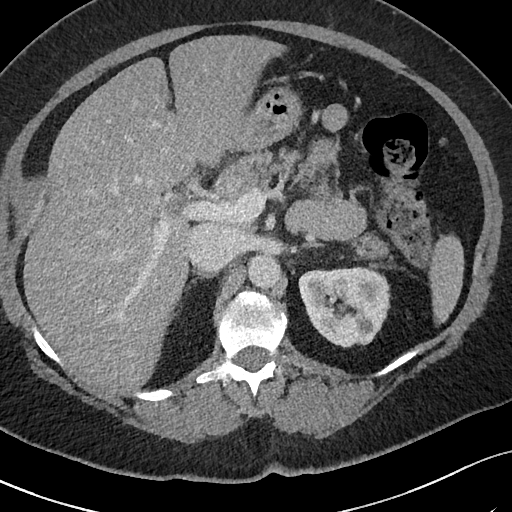
One axial slice (55 of 69, counting up from the lowest) of an arterial-phase abdominal CT acquired with 120 kVp, kernel I40f; each pixel is 0.664 mm and the slice is 3.00 mm thick.
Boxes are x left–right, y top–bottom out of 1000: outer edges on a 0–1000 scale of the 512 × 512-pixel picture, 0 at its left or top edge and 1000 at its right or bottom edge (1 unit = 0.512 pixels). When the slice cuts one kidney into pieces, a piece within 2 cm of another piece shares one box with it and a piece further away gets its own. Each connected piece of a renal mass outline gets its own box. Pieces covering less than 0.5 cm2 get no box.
Left kidney at x 582–764, y 520–680 out of 1000 (outlined area 5,818 px, about 25.7 cm2). No renal mass outline on this slice.